Arterial-phase contrast-enhanced abdominal CT, axial slice 339 of 532 (counted from the lowest slice); tube voltage 120 kVp, convolution kernel B30f; slices 1.00 mm thick, 0.713 mm per pixel.
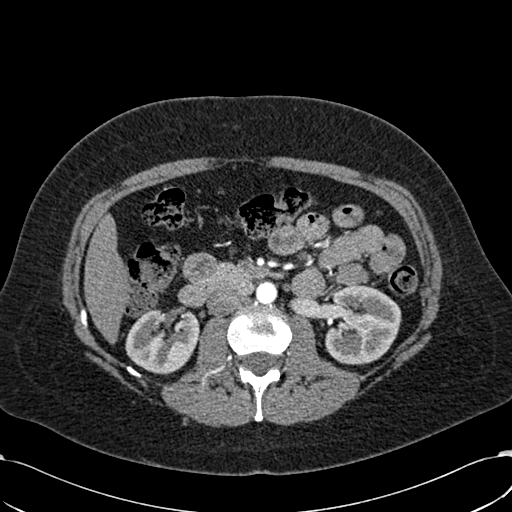
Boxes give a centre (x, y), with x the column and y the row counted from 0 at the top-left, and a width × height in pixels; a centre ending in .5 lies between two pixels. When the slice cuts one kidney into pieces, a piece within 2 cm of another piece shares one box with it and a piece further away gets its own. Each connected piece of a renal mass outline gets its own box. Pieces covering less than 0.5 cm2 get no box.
Boxed on this slice (two kidney boxes), listed by box centre from the image's left to its right: (1) Right kidney in a box with centre (162, 340.5), 75 × 68 pixels (outlined area 3,761 px, about 19.1 cm2). (2) Left kidney in a box with centre (362.5, 324.5), 78 × 80 pixels (outlined area 4,893 px, about 24.9 cm2). No renal mass is outlined on this slice.